Arterial-phase contrast-enhanced abdominal CT, axial slice 341 of 602 (counted from the lowest slice); tube voltage 120 kVp, convolution kernel I30f; slices 1.00 mm thick, 0.799 mm per pixel.
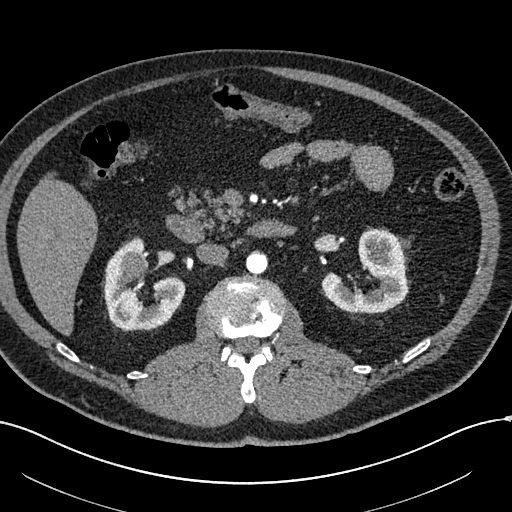
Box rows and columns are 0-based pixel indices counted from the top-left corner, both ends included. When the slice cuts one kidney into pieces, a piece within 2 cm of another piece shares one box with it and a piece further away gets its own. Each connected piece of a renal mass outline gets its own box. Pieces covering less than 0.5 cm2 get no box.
Boxed on this slice (two kidney boxes and one renal mass box), listed by box centre from the image's left to its right: (1) Right renal mass, box rows 252–281, columns 119–147 (outlined area 629 px, about 4.0 cm2). (2) Box rows 238–331, columns 103–185: right kidney (outlined area 4,265 px, about 27.2 cm2). (3) Box rows 228–313, columns 322–408: left kidney (outlined area 4,498 px, about 28.7 cm2).